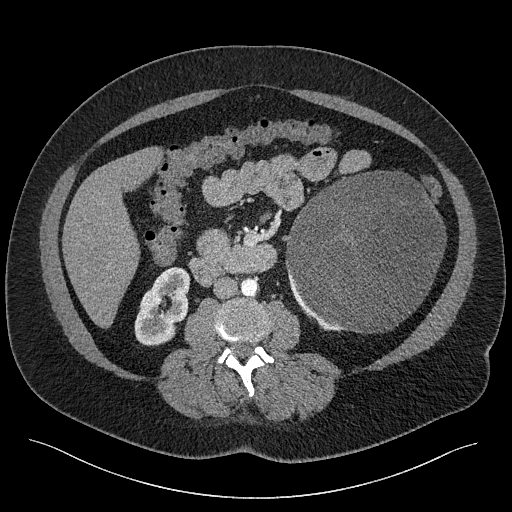
Contrast-enhanced abdominal CT, axial slice 106 of 301 (counted from the lowest slice); tube voltage 120 kVp, convolution kernel I40f; slices 2.00 mm thick, 0.859 mm per pixel.
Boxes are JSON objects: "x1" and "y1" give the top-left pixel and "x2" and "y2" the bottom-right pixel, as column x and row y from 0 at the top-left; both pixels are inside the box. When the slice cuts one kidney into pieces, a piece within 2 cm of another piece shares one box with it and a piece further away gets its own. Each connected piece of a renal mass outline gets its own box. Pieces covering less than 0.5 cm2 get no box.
Three boxes on this slice (two kidney boxes and one renal mass box), listed by box centre from the image's left to its right. (1) Right kidney, box {"x1": 134, "y1": 267, "x2": 190, "y2": 345} (outlined area 3,084 px, about 22.8 cm2). (2) Left kidney at {"x1": 286, "y1": 266, "x2": 341, "y2": 332} (outlined area 385 px, about 2.8 cm2). (3) Left renal mass at {"x1": 285, "y1": 170, "x2": 446, "y2": 333} (outlined area 19,968 px, about 147.5 cm2).